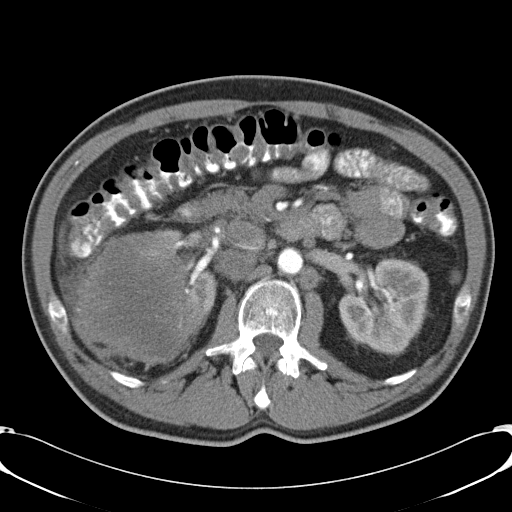
One axial slice (26 of 57, counting up from the lowest) of a contrast-enhanced abdominal CT acquired with 120 kVp, kernel B31f; each pixel is 0.732 mm and the slice is 5.00 mm thick.
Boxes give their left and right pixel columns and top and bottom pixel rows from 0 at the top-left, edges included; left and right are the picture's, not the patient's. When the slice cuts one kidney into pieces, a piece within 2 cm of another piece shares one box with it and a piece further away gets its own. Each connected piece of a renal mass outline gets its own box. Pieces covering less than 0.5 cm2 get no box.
Boxed on this slice (two kidney boxes and one renal mass box), listed by box centre from the image's left to its right: (1) Box with left 71, top 229, right 206, bottom 364: right renal mass (outlined area 12,740 px, about 68.3 cm2). (2) Box with left 161, top 229, right 216, bottom 317: right kidney (outlined area 1,996 px, about 10.7 cm2). (3) Left kidney, the box with left 338, top 257, right 429, bottom 354 (outlined area 6,449 px, about 34.6 cm2).